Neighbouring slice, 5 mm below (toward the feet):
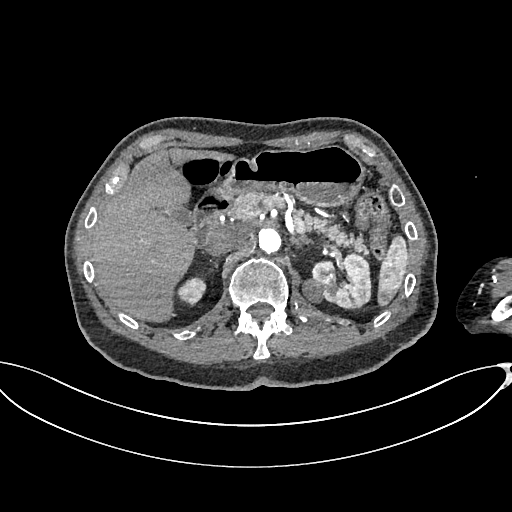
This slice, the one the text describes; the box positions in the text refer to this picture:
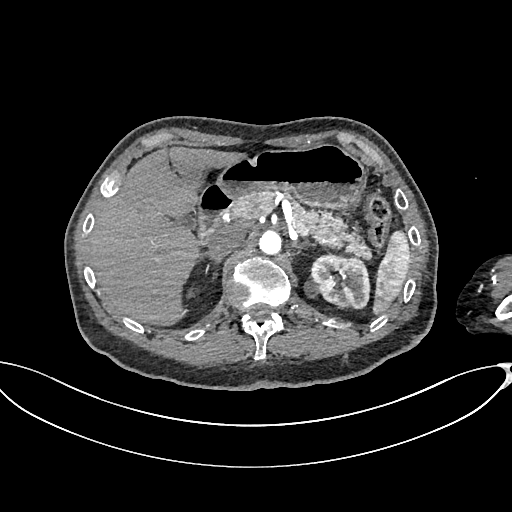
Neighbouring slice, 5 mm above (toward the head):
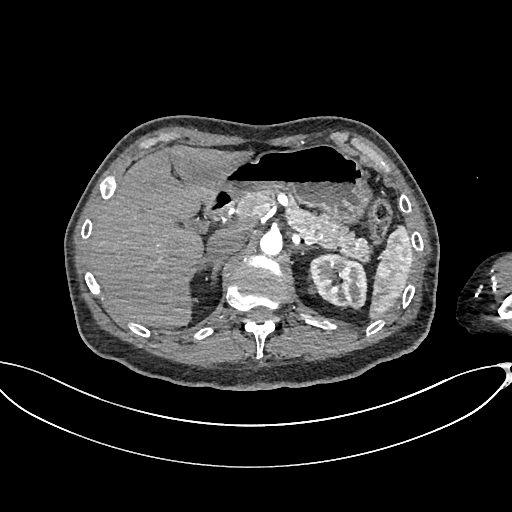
Arterial-phase contrast-enhanced abdominal CT, axial slice 465 of 665 (counted from the lowest slice); tube voltage 100 kVp, convolution kernel I26f; slices 1.00 mm thick, 0.828 mm per pixel.
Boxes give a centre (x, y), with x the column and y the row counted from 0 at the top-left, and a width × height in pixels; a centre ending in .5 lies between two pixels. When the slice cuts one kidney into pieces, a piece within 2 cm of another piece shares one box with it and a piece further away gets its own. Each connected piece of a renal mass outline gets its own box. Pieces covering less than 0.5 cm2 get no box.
Boxed on this slice (one kidney box and one renal mass box), listed by box centre from the image's left to its right: (1) Left renal mass in a box with centre (312, 288), 17 × 19 pixels (outlined area 212 px, about 1.5 cm2). (2) Box centre (339.5, 281), 60 × 55 pixels: left kidney (outlined area 2,504 px, about 17.2 cm2). This slice is near the end of the left renal mass toward the head, so the slices 5 mm below and 5 mm above it are shown as well; the boxes refer to this slice only.